Axial slice 136 of 270 of a contrast-enhanced abdominal CT in the arterial phase (slice 1 is the lowest), 100 kVp, kernel I40f; 2.00 mm slice thickness and 0.855 mm pixels.
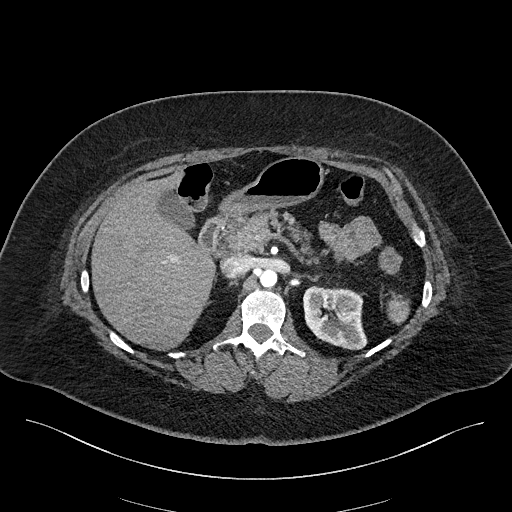
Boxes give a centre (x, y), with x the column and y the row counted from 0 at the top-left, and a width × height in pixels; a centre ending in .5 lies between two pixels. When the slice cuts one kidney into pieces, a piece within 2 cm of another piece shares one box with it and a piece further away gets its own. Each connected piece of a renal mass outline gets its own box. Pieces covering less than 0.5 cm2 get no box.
Left kidney in a box with centre (335, 317), 65 × 65 pixels (outlined area 3,203 px, about 23.4 cm2). No renal mass outline on this slice.